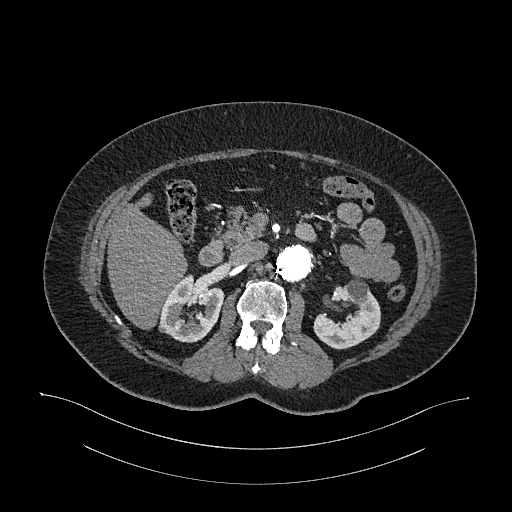
One axial slice (670 of 987, counting up from the lowest) of an arterial-phase abdominal CT acquired with 120 kVp, kernel I26f; each pixel is 0.977 mm and the slice is 1.00 mm thick.
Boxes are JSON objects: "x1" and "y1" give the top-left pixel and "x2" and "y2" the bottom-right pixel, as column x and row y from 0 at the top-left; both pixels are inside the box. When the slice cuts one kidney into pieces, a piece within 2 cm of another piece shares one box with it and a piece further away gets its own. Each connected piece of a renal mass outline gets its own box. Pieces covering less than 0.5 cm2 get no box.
Two boxes on this slice (two kidney boxes), listed by box centre from the image's left to its right. (1) Right kidney at {"x1": 158, "y1": 274, "x2": 222, "y2": 342} (outlined area 3,076 px, about 29.3 cm2). (2) Box {"x1": 313, "y1": 275, "x2": 380, "y2": 349}: left kidney (outlined area 3,077 px, about 29.3 cm2). This slice carries no renal mass outline.